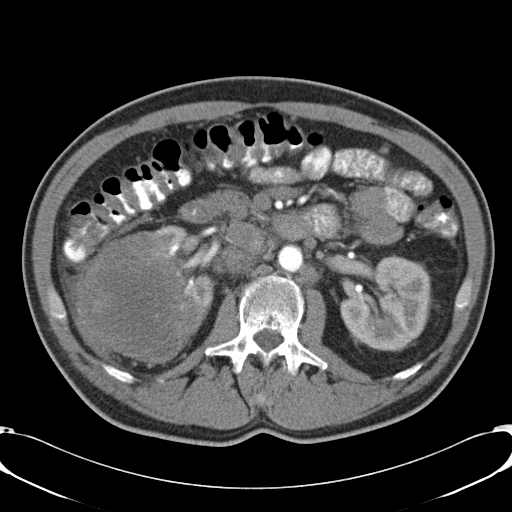
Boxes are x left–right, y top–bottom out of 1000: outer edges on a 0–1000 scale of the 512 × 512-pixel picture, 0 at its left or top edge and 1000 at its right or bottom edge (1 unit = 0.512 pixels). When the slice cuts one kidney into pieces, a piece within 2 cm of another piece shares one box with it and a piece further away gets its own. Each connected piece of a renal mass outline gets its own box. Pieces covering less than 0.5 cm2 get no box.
Contrast-enhanced abdominal CT, axial slice 25 of 57 (counted from the lowest slice); 5.00 mm thick, 0.732 mm per pixel. Three boxes on this slice (two kidney boxes and one renal mass box), listed by box centre from the image's left to its right. (1) Box x 143–406, y 451–711 out of 1000: right renal mass (outlined area 12,704 px, about 68.1 cm2). (2) Right kidney at x 303–418, y 439–611 out of 1000 (outlined area 1,906 px, about 10.2 cm2). (3) Left kidney, box x 662–844, y 500–686 out of 1000 (outlined area 6,419 px, about 34.4 cm2).
Scan settings: 120 kVp, B31f reconstruction kernel.